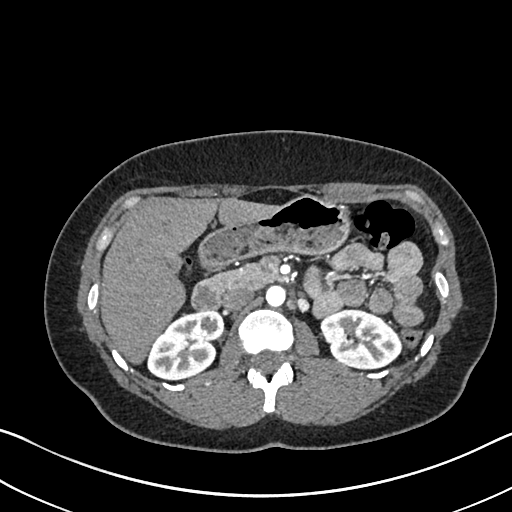
Abdominal CT with intravenous contrast, arterial phase, axial plane, 120 kVp, kernel I30f. Slice 425/612 from the bottom of the scan; thickness 1.00 mm; pixel size 0.703 mm.
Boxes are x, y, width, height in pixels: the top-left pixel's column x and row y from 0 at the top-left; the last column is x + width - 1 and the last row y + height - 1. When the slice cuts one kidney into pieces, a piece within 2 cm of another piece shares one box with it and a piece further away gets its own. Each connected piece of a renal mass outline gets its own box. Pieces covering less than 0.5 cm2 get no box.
Two kidney boxes on this slice; by box centre, from the image's left to its right: (1) Box x 147, y 310, width 78, height 70: right kidney (outlined area 3,873 px, about 19.1 cm2). (2) Left kidney, box x 320, y 306, width 83, height 65 (outlined area 3,800 px, about 18.8 cm2). No renal mass is outlined on this slice.